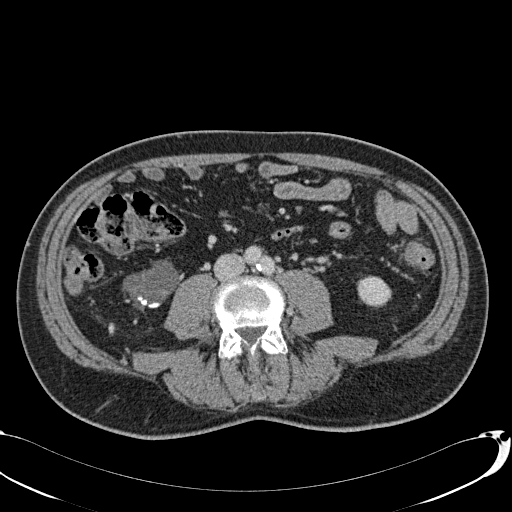
Abdominal CT with intravenous contrast, axial plane, 120 kVp, kernel B31f. Slice 11/113 from the bottom of the scan; thickness 2.00 mm; pixel size 0.742 mm.
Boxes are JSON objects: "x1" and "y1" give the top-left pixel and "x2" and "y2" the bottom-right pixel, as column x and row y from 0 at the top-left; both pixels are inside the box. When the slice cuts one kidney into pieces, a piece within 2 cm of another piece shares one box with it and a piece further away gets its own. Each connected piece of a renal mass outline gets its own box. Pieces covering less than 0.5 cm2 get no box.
Two kidney boxes on this slice; by box centre, from the image's left to its right: (1) Right kidney at {"x1": 122, "y1": 259, "x2": 178, "y2": 311} (outlined area 1,862 px, about 10.3 cm2). (2) Left kidney at {"x1": 357, "y1": 275, "x2": 392, "y2": 306} (outlined area 870 px, about 4.8 cm2). No renal mass is outlined on this slice.